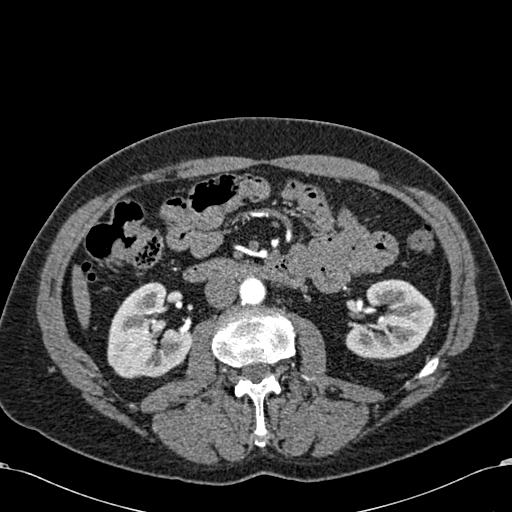
One axial slice (321 of 581, counting up from the lowest) of an arterial-phase abdominal CT acquired with 120 kVp, kernel B30f; each pixel is 0.713 mm and the slice is 1.00 mm thick.
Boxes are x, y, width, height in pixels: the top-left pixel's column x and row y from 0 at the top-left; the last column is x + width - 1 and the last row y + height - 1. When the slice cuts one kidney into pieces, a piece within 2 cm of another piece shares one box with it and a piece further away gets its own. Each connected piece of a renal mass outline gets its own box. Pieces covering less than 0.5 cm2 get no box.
Two boxes on this slice (two kidney boxes), listed by box centre from the image's left to its right. (1) Right kidney, box x 107, y 282, width 85, height 97 (outlined area 5,778 px, about 29.4 cm2). (2) Left kidney, box x 345, y 279, width 90, height 81 (outlined area 5,091 px, about 25.9 cm2). This slice carries no renal mass outline.